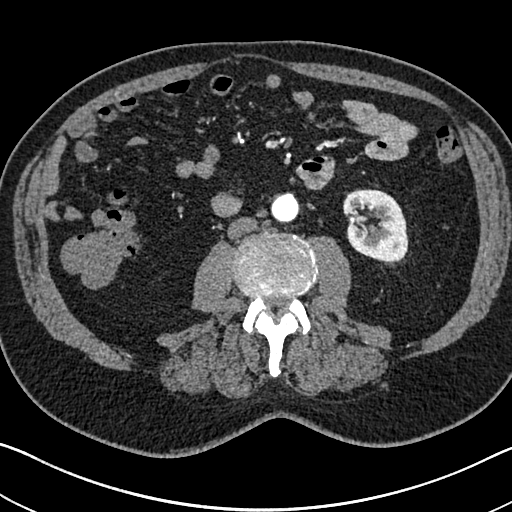
Abdominal CT with intravenous contrast, arterial phase, axial plane, 120 kVp, kernel I30f. Slice 326/705 from the bottom of the scan; thickness 1.00 mm; pixel size 0.703 mm.
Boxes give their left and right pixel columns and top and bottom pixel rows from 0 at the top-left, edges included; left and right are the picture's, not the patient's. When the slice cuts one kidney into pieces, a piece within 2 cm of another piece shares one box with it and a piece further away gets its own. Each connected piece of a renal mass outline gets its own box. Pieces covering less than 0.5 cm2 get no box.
Left kidney, the box with left 343, top 189, right 408, bottom 263 (outlined area 3,783 px, about 18.7 cm2). No renal mass is outlined on this slice.